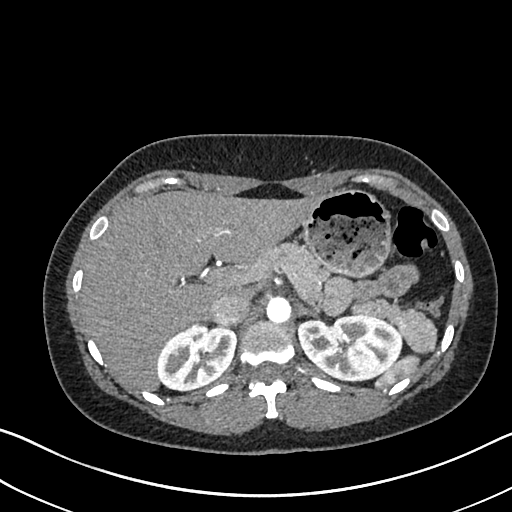
One axial slice (498 of 612, counting up from the lowest) of an arterial-phase abdominal CT acquired with 120 kVp, kernel I30f; each pixel is 0.703 mm and the slice is 1.00 mm thick.
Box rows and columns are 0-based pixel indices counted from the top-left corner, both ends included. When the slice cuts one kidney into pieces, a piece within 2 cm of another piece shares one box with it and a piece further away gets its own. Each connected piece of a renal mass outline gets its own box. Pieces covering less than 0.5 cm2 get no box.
Two kidney boxes on this slice; by box centre, from the image's left to its right: (1) Right kidney, box rows 323–390, columns 157–235 (outlined area 3,999 px, about 19.8 cm2). (2) Left kidney at rows 314–382, columns 297–402 (outlined area 5,499 px, about 27.2 cm2). No renal mass outline on this slice.